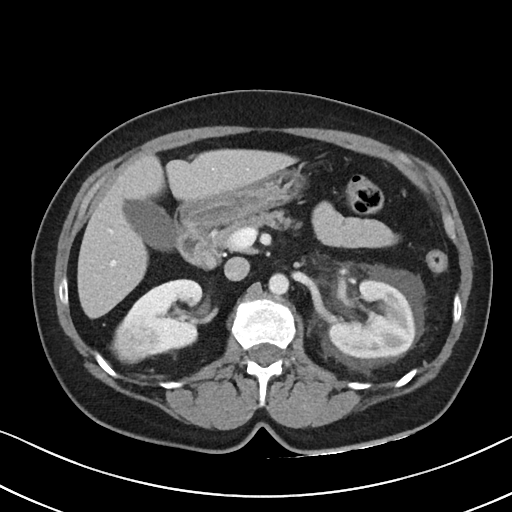
Axial slice 60 of 88 of a contrast-enhanced abdominal CT (slice 1 is the lowest), 100 kVp, kernel I40f; 5.00 mm slice thickness and 0.674 mm pixels.
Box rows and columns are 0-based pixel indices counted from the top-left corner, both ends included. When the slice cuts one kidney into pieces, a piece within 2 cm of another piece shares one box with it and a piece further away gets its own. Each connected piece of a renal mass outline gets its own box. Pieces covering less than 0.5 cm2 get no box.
Three boxes on this slice (two kidney boxes and one renal mass box), listed by box centre from the image's left to its right. (1) Right renal mass at rows 316–361, columns 112–158 (outlined area 1,589 px, about 7.2 cm2). (2) Right kidney, box rows 279–354, columns 128–202 (outlined area 3,453 px, about 15.7 cm2). (3) Left kidney, box rows 281–359, columns 330–415 (outlined area 5,203 px, about 23.6 cm2).